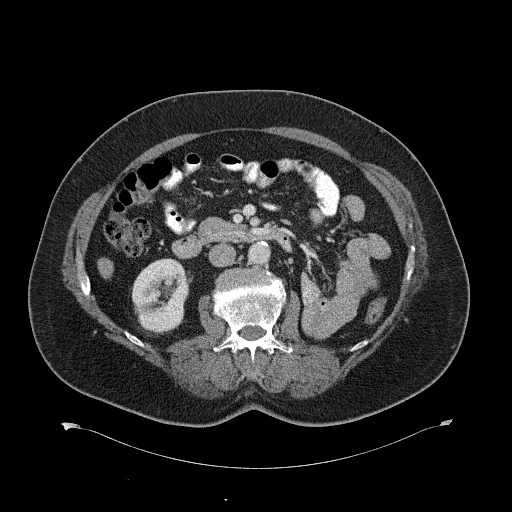
Contrast-enhanced abdominal CT, axial slice 353 of 734 (counted from the lowest slice); tube voltage 120 kVp, convolution kernel B31f; slices 2.00 mm thick, 0.971 mm per pixel.
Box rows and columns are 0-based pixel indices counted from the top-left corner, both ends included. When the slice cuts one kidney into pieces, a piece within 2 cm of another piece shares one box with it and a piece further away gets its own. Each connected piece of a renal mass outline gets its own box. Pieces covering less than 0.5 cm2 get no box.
Right kidney, box rows 258–332, columns 131–192 (outlined area 3,437 px, about 32.4 cm2). No renal mass is outlined on this slice.